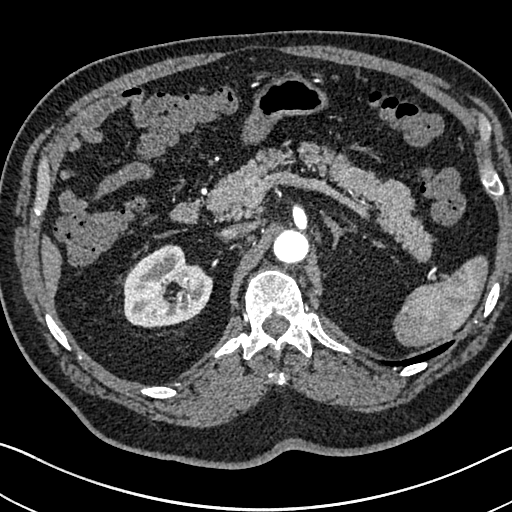
Axial slice 489 of 705 of a contrast-enhanced abdominal CT in the arterial phase (slice 1 is the lowest), 120 kVp, kernel I30f; 1.00 mm slice thickness and 0.703 mm pixels.
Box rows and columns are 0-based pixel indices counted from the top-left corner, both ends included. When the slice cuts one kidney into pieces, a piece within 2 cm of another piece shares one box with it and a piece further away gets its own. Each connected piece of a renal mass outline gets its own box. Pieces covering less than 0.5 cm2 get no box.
Box rows 244–328, columns 122–212: right kidney (outlined area 5,448 px, about 26.9 cm2). This slice carries no renal mass outline.